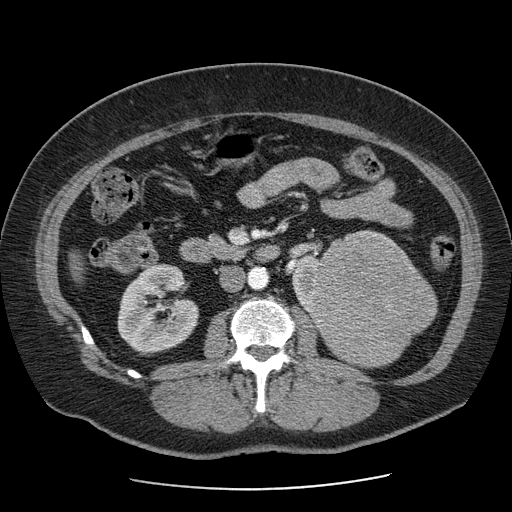
Contrast-enhanced abdominal CT, axial slice 39 of 103 (counted from the lowest slice); tube voltage 120 kVp, convolution kernel STANDARD; slices 2.50 mm thick, 0.736 mm per pixel.
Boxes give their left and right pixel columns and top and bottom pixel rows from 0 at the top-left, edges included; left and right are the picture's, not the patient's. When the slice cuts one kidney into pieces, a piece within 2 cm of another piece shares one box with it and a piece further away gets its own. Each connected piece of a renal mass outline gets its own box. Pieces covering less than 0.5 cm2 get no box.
Two kidney boxes and one renal mass box on this slice; by box centre, from the image's left to its right: (1) Right kidney in the box with left 117, top 263, right 199, bottom 356 (outlined area 5,437 px, about 29.5 cm2). (2) Box with left 292, top 229, right 405, bottom 317: left kidney (outlined area 1,817 px, about 9.9 cm2). (3) Left renal mass in the box with left 311, top 241, right 437, bottom 368 (outlined area 12,164 px, about 66.0 cm2).